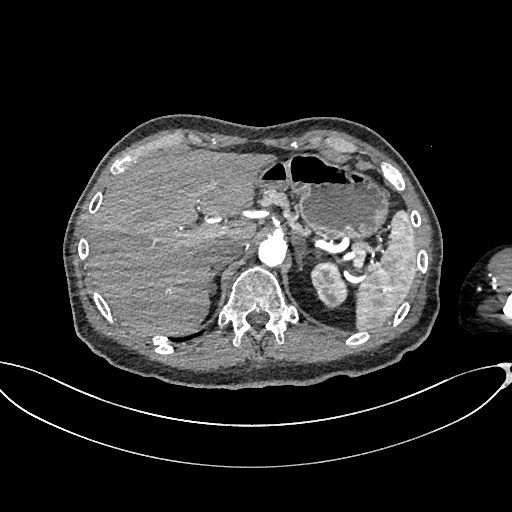
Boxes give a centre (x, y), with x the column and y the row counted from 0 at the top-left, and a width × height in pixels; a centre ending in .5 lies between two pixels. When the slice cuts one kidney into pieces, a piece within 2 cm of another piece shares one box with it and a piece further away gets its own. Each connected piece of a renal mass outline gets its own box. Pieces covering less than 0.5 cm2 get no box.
Slice 509/665 of a contrast-enhanced abdominal CT in the arterial phase, counting up from the lowest; pixel size 0.828 mm, slice thickness 1.00 mm. Box centre (329, 283), 39 × 51 pixels: left kidney (outlined area 1,301 px, about 8.9 cm2). No renal mass outline on this slice.
Scan settings: 100 kVp, I26f reconstruction kernel.